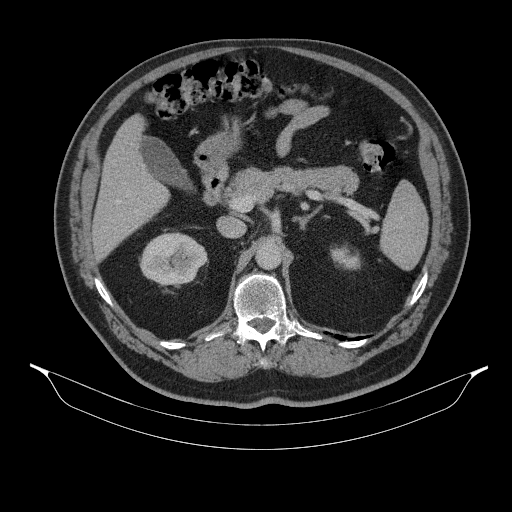
Axial slice 224 of 314 of a contrast-enhanced abdominal CT (slice 1 is the lowest), 130 kVp, kernel B31s; 2.50 mm slice thickness and 0.934 mm pixels.
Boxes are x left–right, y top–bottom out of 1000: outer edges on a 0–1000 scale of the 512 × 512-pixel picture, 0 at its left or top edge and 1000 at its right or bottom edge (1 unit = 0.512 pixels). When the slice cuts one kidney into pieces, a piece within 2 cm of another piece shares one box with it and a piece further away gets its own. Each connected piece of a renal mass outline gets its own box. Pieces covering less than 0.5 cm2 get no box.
Boxed on this slice (two kidney boxes), listed by box centre from the image's left to its right: (1) Right kidney at x 271–406, y 453–559 out of 1000 (outlined area 2,773 px, about 24.2 cm2). (2) Box x 645–707, y 479–529 out of 1000: left kidney (outlined area 556 px, about 4.8 cm2). No renal mass outline on this slice.